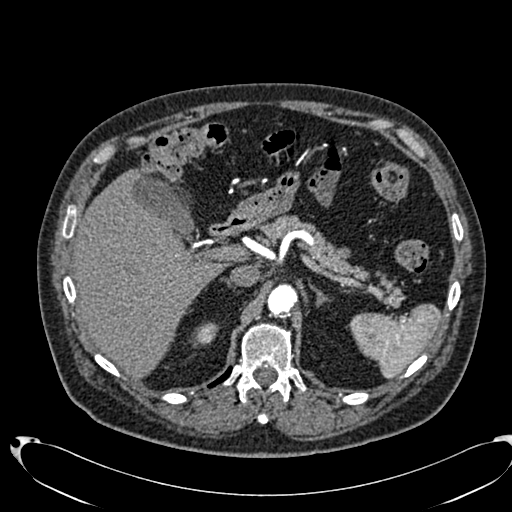
Axial slice 498 of 553 of a contrast-enhanced abdominal CT in the arterial phase (slice 1 is the lowest), 120 kVp, kernel B20f; 1.00 mm slice thickness and 0.773 mm pixels.
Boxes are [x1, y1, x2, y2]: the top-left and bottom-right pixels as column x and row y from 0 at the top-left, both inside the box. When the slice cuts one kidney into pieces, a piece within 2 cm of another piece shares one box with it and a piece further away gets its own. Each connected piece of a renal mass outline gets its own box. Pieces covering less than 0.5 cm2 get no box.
Right kidney at [190, 322, 218, 347] (outlined area 462 px, about 2.8 cm2). No renal mass is outlined on this slice.